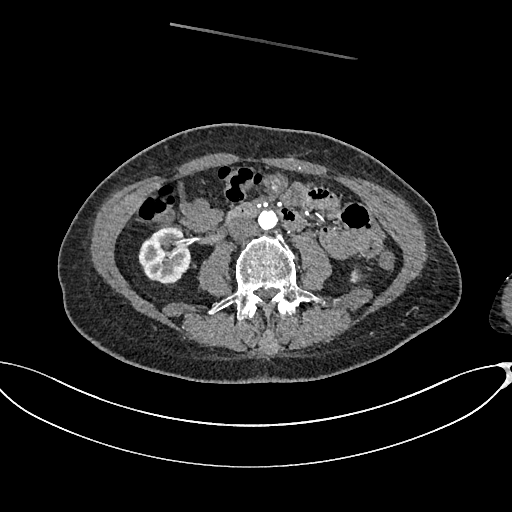
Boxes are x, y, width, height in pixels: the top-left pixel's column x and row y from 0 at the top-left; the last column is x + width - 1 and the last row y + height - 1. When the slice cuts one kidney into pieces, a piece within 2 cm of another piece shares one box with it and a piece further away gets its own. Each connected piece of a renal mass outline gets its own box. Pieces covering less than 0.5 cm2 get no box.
This is axial slice 307 of 665 (slice 1 is the lowest) of an arterial-phase abdominal CT with contrast; each pixel is 0.828 mm and the slice is 1.00 mm thick. Boxed on this slice (two kidney boxes), listed by box centre from the image's left to its right: (1) Right kidney at x 138, y 226, width 53, height 60 (outlined area 2,336 px, about 16.0 cm2). (2) Left kidney at x 350, y 267, width 12, height 14 (outlined area 117 px, about 0.8 cm2). No renal mass outline on this slice.
Tube voltage 100 kVp; convolution kernel I26f.